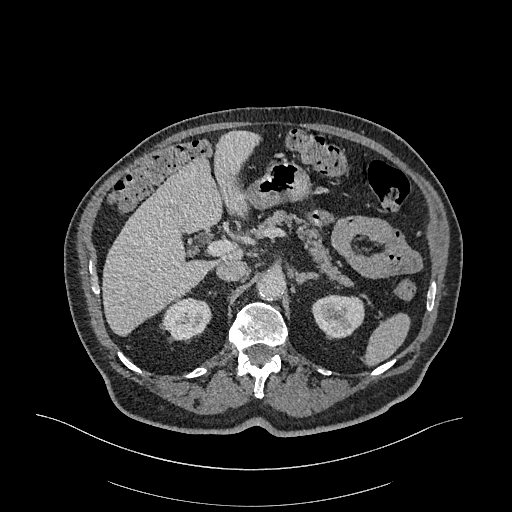
Axial slice 231 of 470 of a contrast-enhanced abdominal CT in the arterial phase (slice 1 is the lowest), 120 kVp, kernel I26f; 1.00 mm slice thickness and 0.938 mm pixels.
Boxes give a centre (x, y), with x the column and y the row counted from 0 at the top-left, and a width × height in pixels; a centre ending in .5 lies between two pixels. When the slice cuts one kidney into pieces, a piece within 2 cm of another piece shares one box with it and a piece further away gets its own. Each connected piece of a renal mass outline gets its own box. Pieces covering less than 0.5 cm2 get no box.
Two boxes on this slice (two kidney boxes), listed by box centre from the image's left to its right. (1) Box centre (187, 318.5), 49 × 44 pixels: right kidney (outlined area 1,608 px, about 14.1 cm2). (2) Left kidney in a box with centre (337.5, 316), 54 × 45 pixels (outlined area 1,842 px, about 16.2 cm2). This slice carries no renal mass outline.